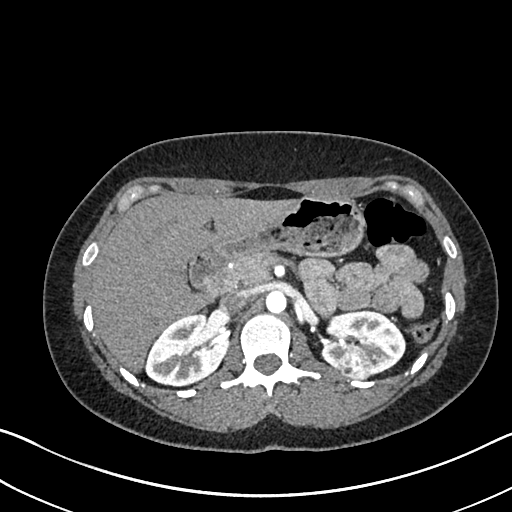
One axial slice (453 of 612, counting up from the lowest) of an arterial-phase abdominal CT acquired with 120 kVp, kernel I30f; each pixel is 0.703 mm and the slice is 1.00 mm thick.
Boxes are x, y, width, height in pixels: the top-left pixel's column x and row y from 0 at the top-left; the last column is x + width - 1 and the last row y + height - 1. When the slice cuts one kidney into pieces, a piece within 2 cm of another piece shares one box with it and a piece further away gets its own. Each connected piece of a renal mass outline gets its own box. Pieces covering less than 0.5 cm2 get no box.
Three boxes on this slice (two kidney boxes and one renal mass box), listed by box centre from the image's left to its right. (1) Box x 145, y 314, width 85, height 73: right kidney (outlined area 4,333 px, about 21.4 cm2). (2) Left renal mass, box x 339, y 349, width 33, height 30 (outlined area 818 px, about 4.0 cm2). (3) Left kidney at x 320, y 309, width 86, height 67 (outlined area 3,655 px, about 18.1 cm2).